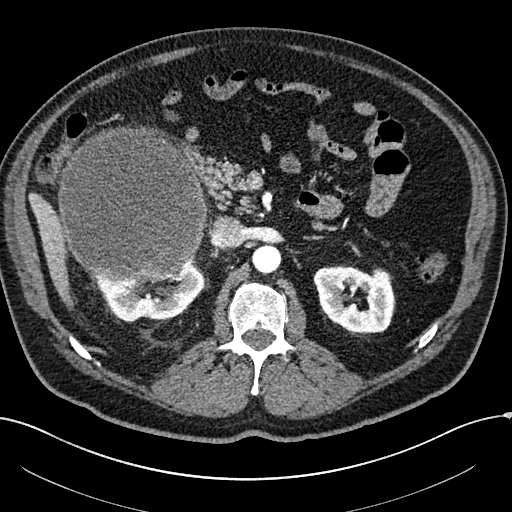
Abdominal CT with intravenous contrast, arterial phase, axial plane, 100 kVp, kernel I30f. Slice 134/304 from the bottom of the scan; thickness 2.00 mm; pixel size 0.809 mm.
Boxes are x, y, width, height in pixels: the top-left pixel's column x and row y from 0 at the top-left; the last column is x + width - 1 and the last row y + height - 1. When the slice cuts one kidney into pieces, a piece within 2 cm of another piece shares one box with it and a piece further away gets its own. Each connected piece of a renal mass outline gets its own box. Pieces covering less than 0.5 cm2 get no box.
Three boxes on this slice (two kidney boxes and one renal mass box), listed by box centre from the image's left to its right. (1) Right renal mass at x 57, y 126, width 150, height 158 (outlined area 18,900 px, about 123.6 cm2). (2) Box x 94, y 259, width 112, height 63: right kidney (outlined area 3,594 px, about 23.5 cm2). (3) Left kidney, box x 313, y 265, width 83, height 69 (outlined area 4,295 px, about 28.1 cm2).